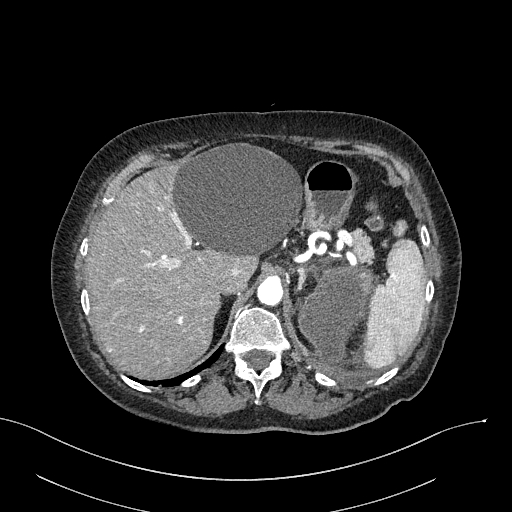
Abdominal CT with intravenous contrast, arterial phase, axial plane, 100 kVp, kernel I40f. Slice 209/316 from the bottom of the scan; thickness 2.00 mm; pixel size 0.840 mm.
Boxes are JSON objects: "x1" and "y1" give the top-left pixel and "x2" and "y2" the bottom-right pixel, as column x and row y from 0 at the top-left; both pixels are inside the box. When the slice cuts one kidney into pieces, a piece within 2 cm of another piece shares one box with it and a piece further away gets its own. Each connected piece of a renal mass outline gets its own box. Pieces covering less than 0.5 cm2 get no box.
Left renal mass, box {"x1": 295, "y1": 266, "x2": 376, "y2": 366} (outlined area 5,188 px, about 36.6 cm2); no kidney is outlined on this slice, but the same outlined renal mass comes within 1 cm of the kidney on another slice.